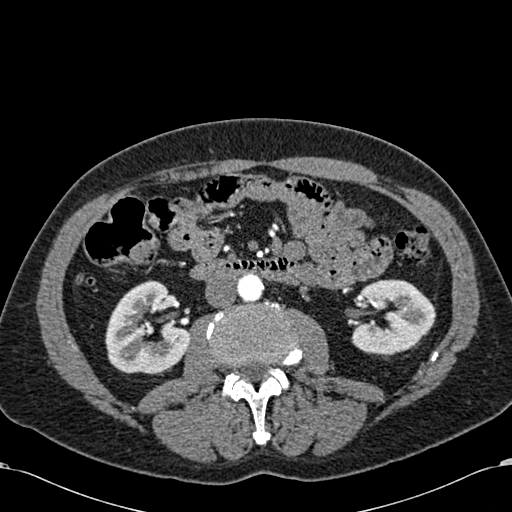
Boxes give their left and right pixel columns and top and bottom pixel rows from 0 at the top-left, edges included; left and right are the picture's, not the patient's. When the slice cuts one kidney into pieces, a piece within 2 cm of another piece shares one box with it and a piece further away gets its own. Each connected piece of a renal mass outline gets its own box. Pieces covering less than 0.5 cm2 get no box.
Arterial-phase contrast-enhanced abdominal CT, axial slice 306 of 581 (counted from the lowest slice); 1.00 mm thick, 0.713 mm per pixel. Two kidney boxes on this slice; by box centre, from the image's left to its right: (1) Right kidney in the box with left 105, top 280, right 189, bottom 374 (outlined area 5,655 px, about 28.7 cm2). (2) Box with left 351, top 279, right 436, bottom 355: left kidney (outlined area 4,787 px, about 24.3 cm2). This slice carries no renal mass outline.
Scan settings: 120 kVp, B30f reconstruction kernel.